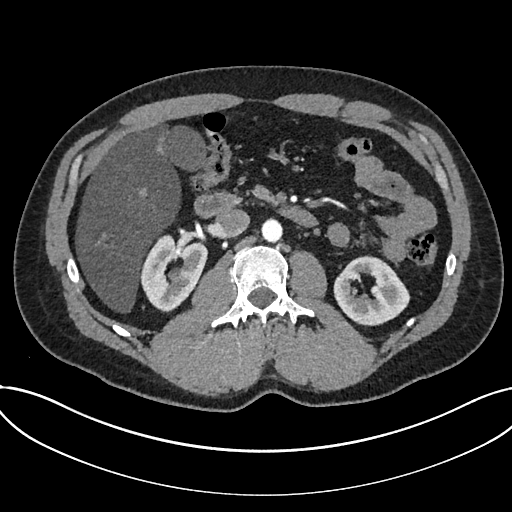
Axial slice 419 of 735 of a contrast-enhanced abdominal CT in the arterial phase (slice 1 is the lowest), 120 kVp, kernel I30f; 1.00 mm slice thickness and 0.789 mm pixels.
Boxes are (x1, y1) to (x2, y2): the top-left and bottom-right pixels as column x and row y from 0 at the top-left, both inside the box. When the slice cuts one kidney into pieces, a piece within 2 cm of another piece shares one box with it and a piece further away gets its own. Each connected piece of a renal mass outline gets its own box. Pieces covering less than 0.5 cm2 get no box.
Boxed on this slice (two kidney boxes), listed by box centre from the image's left to its right: (1) Kidney, box (140, 234) to (207, 312) (outlined area 3,636 px, about 22.6 cm2). (2) Kidney from (333, 256) to (410, 325) (outlined area 3,655 px, about 22.8 cm2). No renal mass outline on this slice.